One axial slice (545 of 834, counting up from the lowest) of a contrast-enhanced abdominal CT acquired with 140 kVp, kernel I30f; each pixel is 0.977 mm and the slice is 1.00 mm thick.
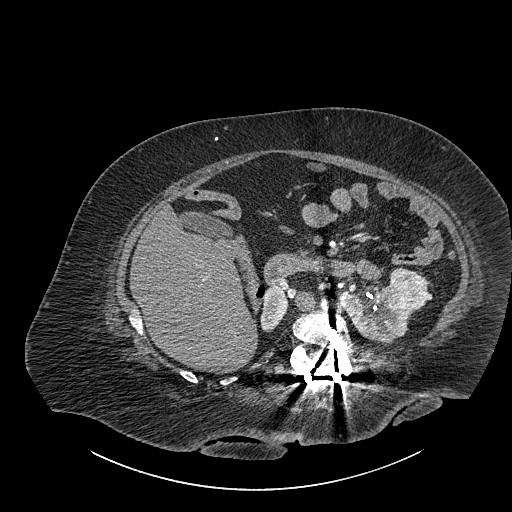
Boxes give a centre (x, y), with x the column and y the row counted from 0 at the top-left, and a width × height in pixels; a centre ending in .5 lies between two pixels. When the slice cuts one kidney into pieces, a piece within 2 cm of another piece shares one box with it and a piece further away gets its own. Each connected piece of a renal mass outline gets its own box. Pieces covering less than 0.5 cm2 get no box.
Boxed on this slice (two kidney boxes and one renal mass box), listed by box centre from the image's left to its right: (1) Box centre (274, 308.5), 29 × 48 pixels: right part of the midline-crossing kidney (outlined area 956 px, about 9.1 cm2). (2) Box centre (376.5, 314), 72 × 59 pixels: left part of the midline-crossing kidney (outlined area 2,606 px, about 24.9 cm2). (3) Renal mass in a box with centre (408, 288.5), 39 × 44 pixels (outlined area 1,306 px, about 12.5 cm2).